Abdominal CT with intravenous contrast, axial plane, 120 kVp, kernel STANDARD. Slice 20/103 from the bottom of the scan; thickness 2.50 mm; pixel size 0.820 mm.
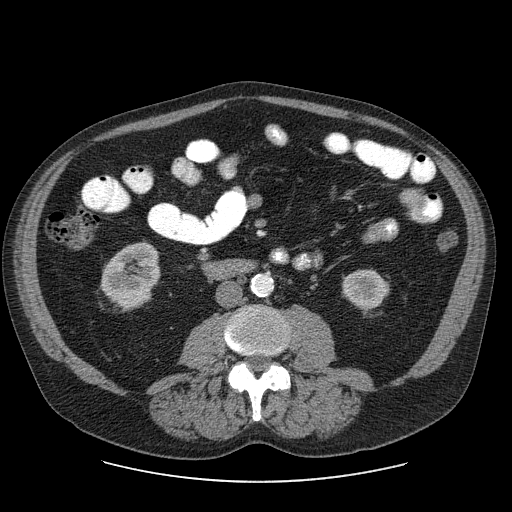
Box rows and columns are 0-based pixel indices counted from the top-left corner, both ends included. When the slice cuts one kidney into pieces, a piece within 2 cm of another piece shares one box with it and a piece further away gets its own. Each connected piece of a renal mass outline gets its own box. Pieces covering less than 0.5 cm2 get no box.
Two boxes on this slice (two kidney boxes), listed by box centre from the image's left to its right. (1) Box rows 242–311, columns 100–160: right kidney (outlined area 3,031 px, about 20.4 cm2). (2) Left kidney at rows 269–308, columns 342–389 (outlined area 1,462 px, about 9.8 cm2). This slice carries no renal mass outline.